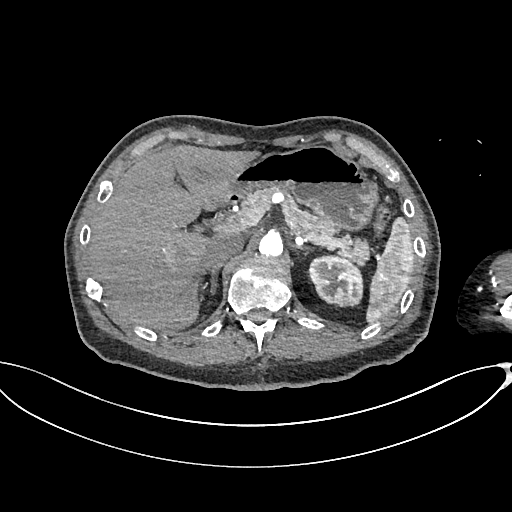
Axial slice 485 of 665 of a contrast-enhanced abdominal CT in the arterial phase (slice 1 is the lowest), 100 kVp, kernel I26f; 1.00 mm slice thickness and 0.828 mm pixels.
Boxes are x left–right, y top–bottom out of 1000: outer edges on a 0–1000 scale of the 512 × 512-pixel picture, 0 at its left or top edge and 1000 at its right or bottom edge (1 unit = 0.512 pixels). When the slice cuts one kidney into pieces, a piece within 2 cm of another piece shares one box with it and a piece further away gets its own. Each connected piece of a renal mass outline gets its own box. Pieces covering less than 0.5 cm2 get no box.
Box x 600–711, y 496–602 out of 1000: left kidney (outlined area 2,296 px, about 15.7 cm2). No renal mass is outlined on this slice.